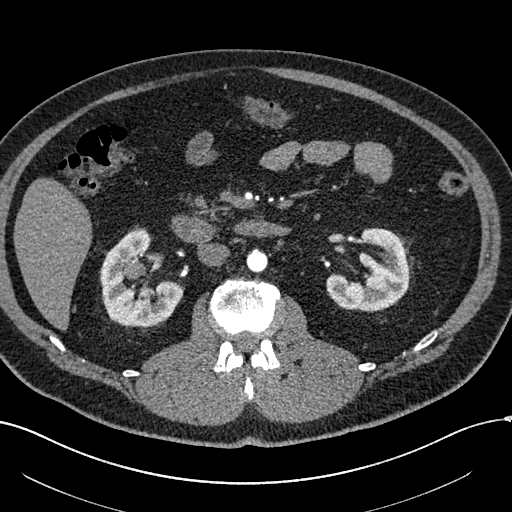
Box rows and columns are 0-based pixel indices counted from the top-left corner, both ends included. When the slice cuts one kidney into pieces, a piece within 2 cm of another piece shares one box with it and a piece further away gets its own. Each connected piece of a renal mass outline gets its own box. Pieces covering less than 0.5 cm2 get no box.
Slice 328/602 of a contrast-enhanced abdominal CT in the arterial phase, counting up from the lowest; pixel size 0.799 mm, slice thickness 1.00 mm. Two kidney boxes and one renal mass box on this slice; by box centre, from the image's left to its right: (1) Right renal mass at rows 260–277, columns 127–145 (outlined area 269 px, about 1.7 cm2). (2) Box rows 228–327, columns 100–183: right kidney (outlined area 5,061 px, about 32.3 cm2). (3) Box rows 228–311, columns 326–409: left kidney (outlined area 4,402 px, about 28.1 cm2).
Tube voltage 120 kVp; convolution kernel I30f.